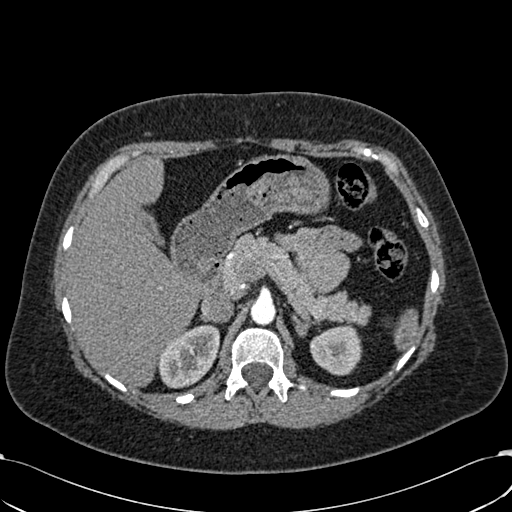
One axial slice (433 of 532, counting up from the lowest) of an arterial-phase abdominal CT acquired with 120 kVp, kernel B30f; each pixel is 0.713 mm and the slice is 1.00 mm thick.
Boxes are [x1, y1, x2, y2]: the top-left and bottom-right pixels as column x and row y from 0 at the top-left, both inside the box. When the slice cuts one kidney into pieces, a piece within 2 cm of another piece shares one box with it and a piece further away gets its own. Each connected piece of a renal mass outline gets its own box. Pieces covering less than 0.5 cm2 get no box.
Boxed on this slice (two kidney boxes), listed by box centre from the image's left to its right: (1) Right kidney, box [157, 324, 219, 388] (outlined area 2,886 px, about 14.7 cm2). (2) Left kidney, box [310, 324, 362, 375] (outlined area 2,044 px, about 10.4 cm2). No renal mass outline on this slice.